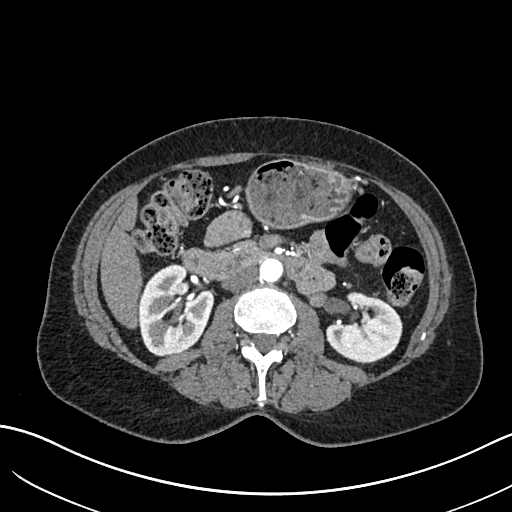
Abdominal CT with intravenous contrast, arterial phase, axial plane, 120 kVp, kernel I30f. Slice 358/683 from the bottom of the scan; thickness 1.00 mm; pixel size 0.738 mm.
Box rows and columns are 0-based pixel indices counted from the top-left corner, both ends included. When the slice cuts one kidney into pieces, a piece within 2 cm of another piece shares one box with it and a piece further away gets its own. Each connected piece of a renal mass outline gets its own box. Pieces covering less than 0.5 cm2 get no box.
Two kidney boxes on this slice; by box centre, from the image's left to its right: (1) Right kidney, box rows 263–355, columns 137–214 (outlined area 5,240 px, about 28.6 cm2). (2) Box rows 291–361, columns 325–402: left kidney (outlined area 3,756 px, about 20.5 cm2). No renal mass outline on this slice.